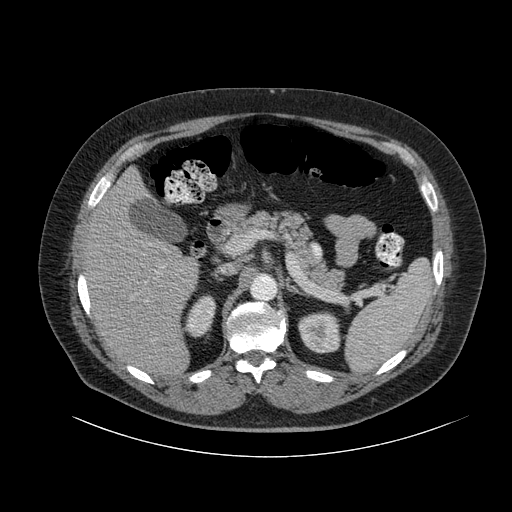
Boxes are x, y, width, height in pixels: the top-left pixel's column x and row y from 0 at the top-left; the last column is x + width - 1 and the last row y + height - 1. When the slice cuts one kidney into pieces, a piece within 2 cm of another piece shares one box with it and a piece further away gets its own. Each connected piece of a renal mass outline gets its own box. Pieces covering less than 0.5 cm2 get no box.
Contrast-enhanced abdominal CT, axial slice 66 of 105 (counted from the lowest slice); 3.00 mm thick, 0.977 mm per pixel. Two kidney boxes on this slice; by box centre, from the image's left to its right: (1) Right kidney, box x 184, y 294, width 33, height 44 (outlined area 981 px, about 9.4 cm2). (2) Box x 298, y 311, width 44, height 43: left kidney (outlined area 1,488 px, about 14.2 cm2). No renal mass outline on this slice.
Scan settings: 120 kVp, B reconstruction kernel.